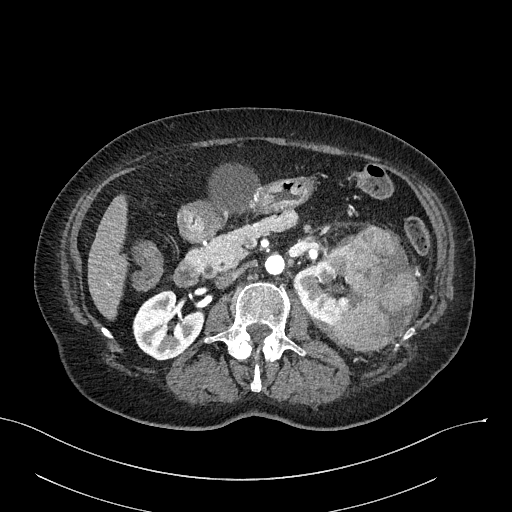
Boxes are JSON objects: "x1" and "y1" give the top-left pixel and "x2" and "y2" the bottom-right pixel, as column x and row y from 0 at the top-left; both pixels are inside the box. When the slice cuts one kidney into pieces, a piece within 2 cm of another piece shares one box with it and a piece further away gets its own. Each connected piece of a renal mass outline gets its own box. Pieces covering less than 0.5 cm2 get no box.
This is axial slice 138 of 316 (slice 1 is the lowest) of an arterial-phase abdominal CT with contrast; each pixel is 0.840 mm and the slice is 2.00 mm thick. Boxed on this slice (two kidney boxes and one renal mass box), listed by box centre from the image's left to its right: (1) Right kidney at {"x1": 132, "y1": 290, "x2": 204, "y2": 360} (outlined area 3,472 px, about 24.5 cm2). (2) Left kidney at {"x1": 293, "y1": 244, "x2": 351, "y2": 324} (outlined area 2,853 px, about 20.1 cm2). (3) Box {"x1": 329, "y1": 224, "x2": 420, "y2": 350}: left renal mass (outlined area 7,899 px, about 55.7 cm2).
Acquired at 100 kVp and reconstructed with the I40f kernel.